One axial slice (118 of 325, counting up from the lowest) of an arterial-phase abdominal CT acquired with 100 kVp, kernel I30f; each pixel is 0.703 mm and the slice is 1.00 mm thick.
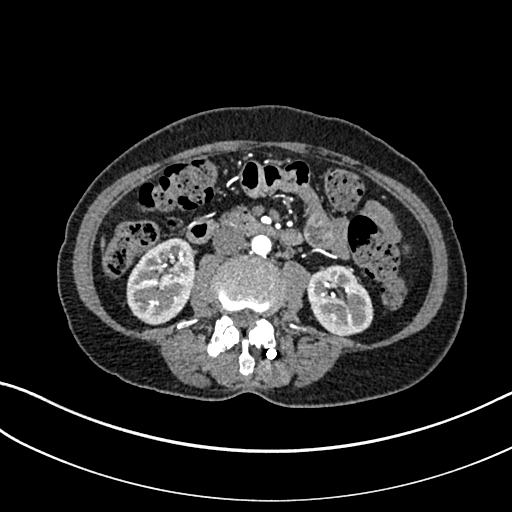
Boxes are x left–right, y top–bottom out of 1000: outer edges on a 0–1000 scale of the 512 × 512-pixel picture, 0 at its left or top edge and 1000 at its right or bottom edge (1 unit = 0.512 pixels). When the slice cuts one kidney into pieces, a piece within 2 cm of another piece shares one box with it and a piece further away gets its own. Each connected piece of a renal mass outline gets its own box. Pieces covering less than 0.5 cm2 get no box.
Boxed on this slice (two kidney boxes), listed by box centre from the image's left to its right: (1) Right kidney at x 246–383, y 463–637 out of 1000 (outlined area 4,570 px, about 22.6 cm2). (2) Box x 598–730, y 518–656 out of 1000: left kidney (outlined area 3,558 px, about 17.6 cm2). No renal mass is outlined on this slice.